Abdominal CT with intravenous contrast, axial plane, 120 kVp, kernel B. Slice 126/178 from the bottom of the scan; thickness 3.00 mm; pixel size 0.818 mm.
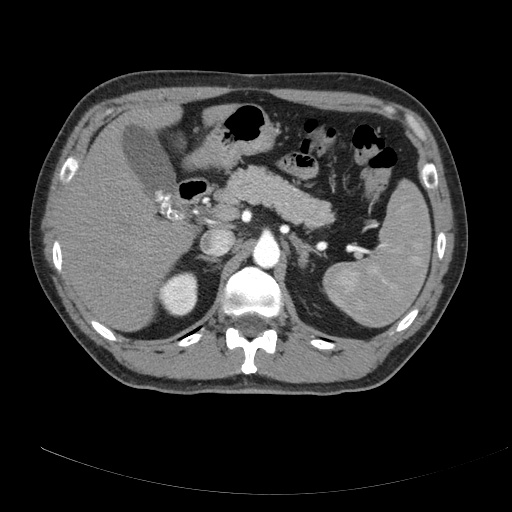
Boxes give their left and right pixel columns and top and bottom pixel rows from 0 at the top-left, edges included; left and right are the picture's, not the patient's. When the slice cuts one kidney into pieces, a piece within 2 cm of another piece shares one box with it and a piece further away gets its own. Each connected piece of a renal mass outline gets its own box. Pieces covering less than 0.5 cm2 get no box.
Right kidney in the box with left 158, top 272, right 197, bottom 316 (outlined area 1,431 px, about 9.6 cm2). No renal mass is outlined on this slice.